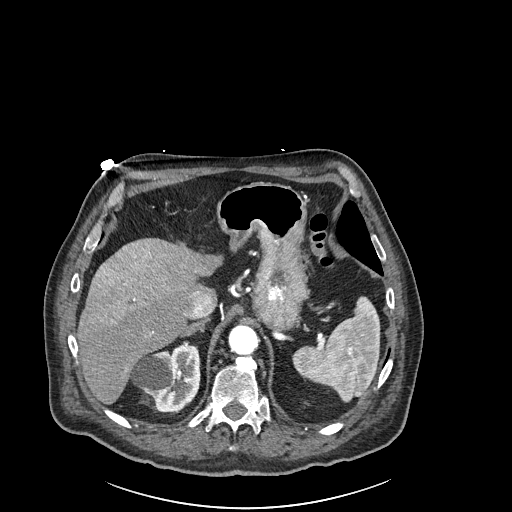
Axial slice 185 of 261 of a contrast-enhanced abdominal CT in the arterial phase (slice 1 is the lowest), 120 kVp, kernel I30f; 2.00 mm slice thickness and 0.939 mm pixels.
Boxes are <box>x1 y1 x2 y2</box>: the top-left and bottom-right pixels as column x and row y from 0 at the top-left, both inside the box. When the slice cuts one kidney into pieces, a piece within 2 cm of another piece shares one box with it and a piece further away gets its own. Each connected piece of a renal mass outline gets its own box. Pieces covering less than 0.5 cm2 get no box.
Right kidney: <box>130 344 200 412</box> (outlined area 3,414 px, about 30.1 cm2). No renal mass outline on this slice.